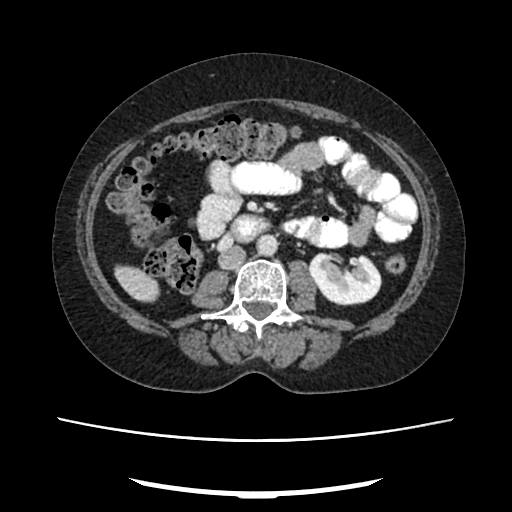
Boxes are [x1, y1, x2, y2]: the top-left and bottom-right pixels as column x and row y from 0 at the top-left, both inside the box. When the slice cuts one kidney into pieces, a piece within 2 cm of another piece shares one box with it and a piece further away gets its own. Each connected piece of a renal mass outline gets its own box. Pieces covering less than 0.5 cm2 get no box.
Slice 120/207 of a contrast-enhanced abdominal CT in the arterial phase, counting up from the lowest; pixel size 0.741 mm, slice thickness 2.00 mm. Left kidney at [308, 252, 381, 305] (outlined area 3,006 px, about 16.5 cm2). No renal mass is outlined on this slice.
Acquired at 120 kVp and reconstructed with the FC18 kernel.